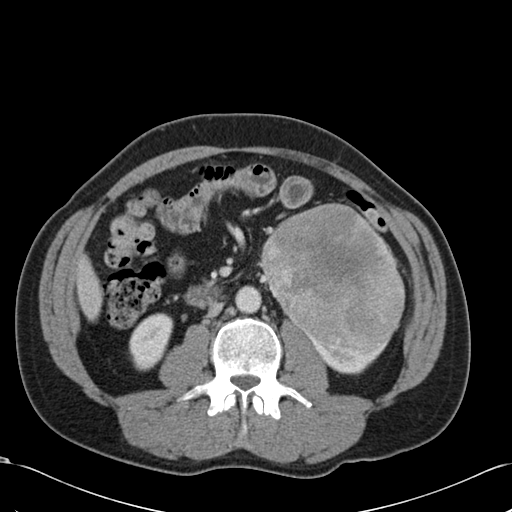
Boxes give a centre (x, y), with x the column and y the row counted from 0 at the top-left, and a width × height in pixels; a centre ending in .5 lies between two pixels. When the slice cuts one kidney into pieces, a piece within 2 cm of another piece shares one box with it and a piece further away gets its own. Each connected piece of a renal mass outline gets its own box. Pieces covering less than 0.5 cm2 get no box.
Arterial-phase contrast-enhanced abdominal CT, axial slice 57 of 99 (counted from the lowest slice); 5.00 mm thick, 0.693 mm per pixel. Three boxes on this slice (two kidney boxes and one renal mass box), listed by box centre from the image's left to its right. (1) Box centre (151, 342), 45 × 59 pixels: right kidney (outlined area 1,870 px, about 9.0 cm2). (2) Box centre (333, 278), 145 × 151 pixels: left renal mass (outlined area 15,908 px, about 76.5 cm2). (3) Left kidney in a box with centre (345.5, 354.5), 78 × 40 pixels (outlined area 1,220 px, about 5.9 cm2).
Acquired at 120 kVp and reconstructed with the B30f kernel.